Axial slice 138 of 470 of a contrast-enhanced abdominal CT in the arterial phase (slice 1 is the lowest), 120 kVp, kernel I26f; 1.00 mm slice thickness and 0.938 mm pixels.
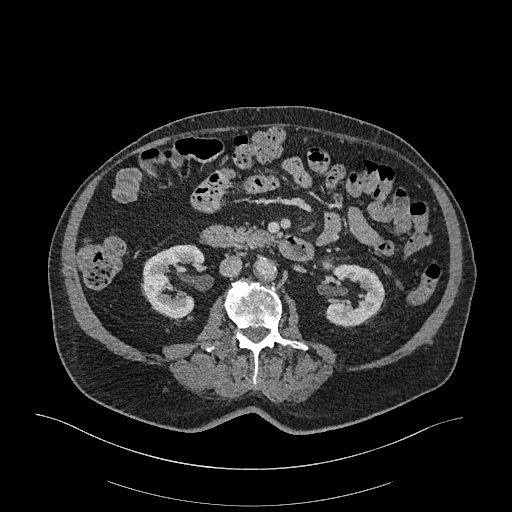
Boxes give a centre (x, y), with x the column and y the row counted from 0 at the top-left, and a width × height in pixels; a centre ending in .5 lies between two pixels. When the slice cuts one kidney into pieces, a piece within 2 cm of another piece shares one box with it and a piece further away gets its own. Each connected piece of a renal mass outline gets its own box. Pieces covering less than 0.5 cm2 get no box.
Two kidney boxes on this slice; by box centre, from the image's left to its right: (1) Box centre (173, 281.5), 63 × 76 pixels: right kidney (outlined area 3,205 px, about 28.2 cm2). (2) Left kidney in a box with centre (354.5, 295.5), 62 × 64 pixels (outlined area 2,812 px, about 24.7 cm2). No renal mass is outlined on this slice.